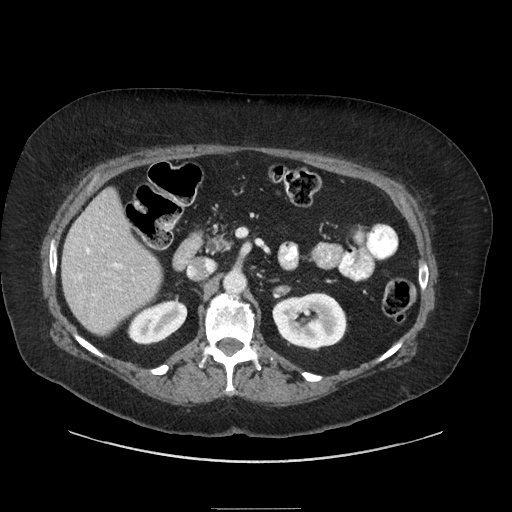
One axial slice (134 of 186, counting up from the lowest) of a contrast-enhanced abdominal CT acquired with 120 kVp, kernel STANDARD; each pixel is 0.850 mm and the slice is 2.50 mm thick.
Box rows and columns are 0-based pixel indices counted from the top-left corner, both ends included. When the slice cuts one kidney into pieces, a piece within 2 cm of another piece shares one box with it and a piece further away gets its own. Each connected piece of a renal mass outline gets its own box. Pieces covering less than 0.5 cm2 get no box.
Two boxes on this slice (two kidney boxes), listed by box centre from the image's left to its right. (1) Right kidney, box rows 300–344, columns 127–187 (outlined area 1,922 px, about 13.9 cm2). (2) Box rows 292–350, columns 272–347: left kidney (outlined area 3,368 px, about 24.3 cm2). No renal mass outline on this slice.